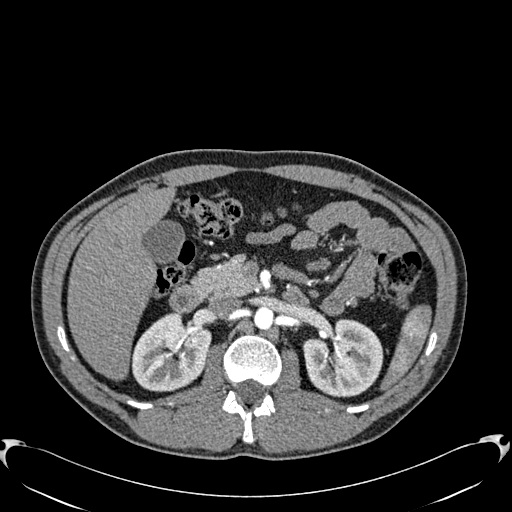
Abdominal CT with intravenous contrast, arterial phase, axial plane, 120 kVp, kernel B30f. Slice 378/512 from the bottom of the scan; thickness 1.00 mm; pixel size 0.771 mm.
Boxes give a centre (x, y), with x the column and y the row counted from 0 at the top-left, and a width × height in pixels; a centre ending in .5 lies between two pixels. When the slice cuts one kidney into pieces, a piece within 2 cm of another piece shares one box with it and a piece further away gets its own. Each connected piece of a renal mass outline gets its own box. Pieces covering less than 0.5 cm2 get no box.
Two kidney boxes on this slice; by box centre, from the image's left to its right: (1) Right kidney, box centre (171, 352), 81 × 79 pixels (outlined area 4,677 px, about 27.8 cm2). (2) Box centre (343, 358.5), 81 × 78 pixels: left kidney (outlined area 4,755 px, about 28.3 cm2). This slice carries no renal mass outline.